One axial slice (374 of 719, counting up from the lowest) of an arterial-phase abdominal CT acquired with 120 kVp, kernel B20f; each pixel is 0.766 mm and the slice is 1.00 mm thick.
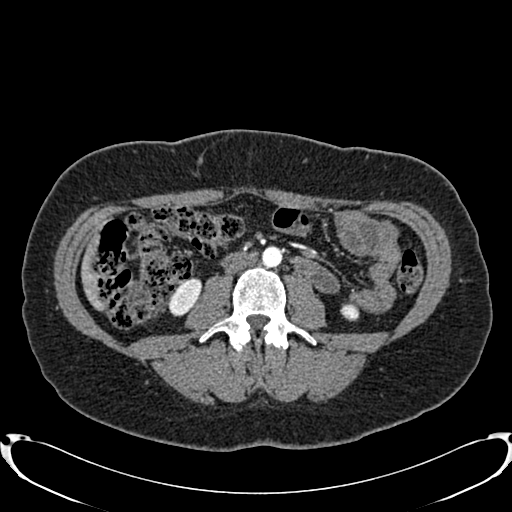
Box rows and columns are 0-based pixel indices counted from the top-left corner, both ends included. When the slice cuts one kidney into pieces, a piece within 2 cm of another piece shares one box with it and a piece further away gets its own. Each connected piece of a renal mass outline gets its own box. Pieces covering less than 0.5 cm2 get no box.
Boxed on this slice (two kidney boxes), listed by box centre from the image's left to its right: (1) Right kidney, box rows 277–316, columns 167–201 (outlined area 883 px, about 5.2 cm2). (2) Left kidney at rows 303–321, columns 340–359 (outlined area 270 px, about 1.6 cm2). No renal mass outline on this slice.